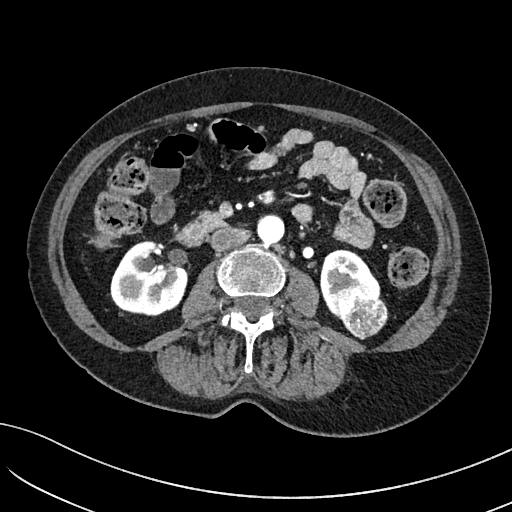
Arterial-phase contrast-enhanced abdominal CT, axial slice 40 of 234 (counted from the lowest slice); tube voltage 100 kVp, convolution kernel I40f; slices 2.00 mm thick, 0.699 mm per pixel.
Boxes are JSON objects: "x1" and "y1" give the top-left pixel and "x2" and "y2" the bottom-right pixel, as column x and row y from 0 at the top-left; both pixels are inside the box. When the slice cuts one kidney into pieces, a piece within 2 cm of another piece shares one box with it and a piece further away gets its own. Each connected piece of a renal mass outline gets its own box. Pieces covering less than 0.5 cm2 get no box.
Two kidney boxes and one renal mass box on this slice; by box centre, from the image's left to its right: (1) Box {"x1": 110, "y1": 240, "x2": 187, "y2": 316}: right kidney (outlined area 4,274 px, about 20.9 cm2). (2) Box {"x1": 320, "y1": 249, "x2": 380, "y2": 319}: left kidney (outlined area 2,258 px, about 11.0 cm2). (3) Box {"x1": 336, "y1": 288, "x2": 388, "y2": 339}: left renal mass (outlined area 1,952 px, about 9.5 cm2).